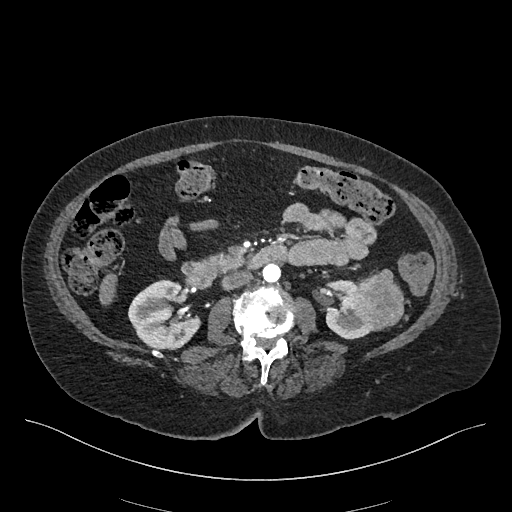
Axial slice 228 of 548 of a contrast-enhanced abdominal CT in the arterial phase (slice 1 is the lowest), 120 kVp, kernel I26f; 1.00 mm slice thickness and 0.852 mm pixels.
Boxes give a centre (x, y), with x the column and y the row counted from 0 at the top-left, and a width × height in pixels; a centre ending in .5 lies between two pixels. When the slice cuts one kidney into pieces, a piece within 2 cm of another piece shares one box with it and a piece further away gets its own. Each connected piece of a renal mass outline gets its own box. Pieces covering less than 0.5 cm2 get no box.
Boxed on this slice (two kidney boxes and one renal mass box), listed by box centre from the image's left to its right: (1) Right kidney, box centre (164, 314.5), 73 × 72 pixels (outlined area 3,626 px, about 26.3 cm2). (2) Left kidney, box centre (354, 309), 59 × 61 pixels (outlined area 1,828 px, about 13.3 cm2). (3) Left renal mass in a box with centre (377, 298.5), 53 × 60 pixels (outlined area 2,304 px, about 16.7 cm2).